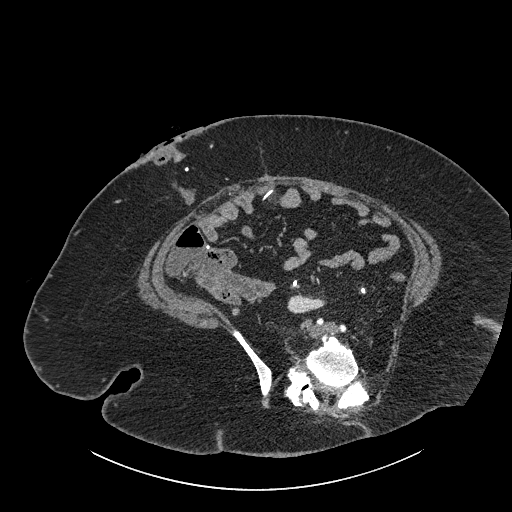
Abdominal CT with intravenous contrast, axial plane, 140 kVp, kernel I30f. Slice 383/834 from the bottom of the scan; thickness 1.00 mm; pixel size 0.977 mm.
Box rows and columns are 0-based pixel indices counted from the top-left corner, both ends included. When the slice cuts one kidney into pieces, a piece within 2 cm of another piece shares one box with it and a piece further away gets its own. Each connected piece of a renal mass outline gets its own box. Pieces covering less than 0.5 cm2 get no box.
Right part of the midline-crossing kidney at rows 293–313, columns 287–326 (outlined area 577 px, about 5.5 cm2). No renal mass outline on this slice.